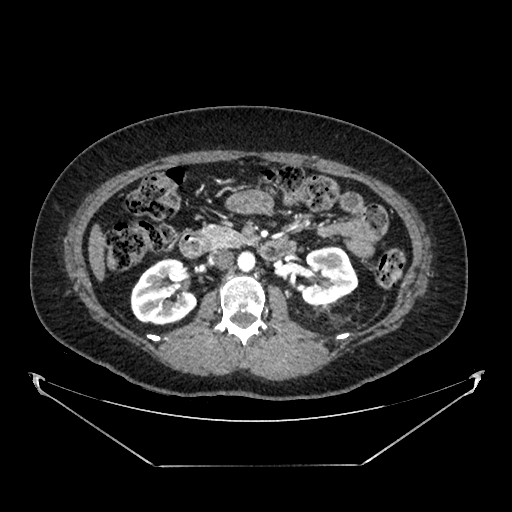
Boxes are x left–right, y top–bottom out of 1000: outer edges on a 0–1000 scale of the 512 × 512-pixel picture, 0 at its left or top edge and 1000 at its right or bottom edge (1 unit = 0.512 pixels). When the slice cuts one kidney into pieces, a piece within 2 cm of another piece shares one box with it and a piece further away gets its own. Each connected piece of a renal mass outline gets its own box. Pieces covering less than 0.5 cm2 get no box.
This is axial slice 225 of 383 (slice 1 is the lowest) of an arterial-phase abdominal CT with contrast; each pixel is 0.898 mm and the slice is 1.25 mm thick. Two kidney boxes on this slice; by box centre, from the image's left to its right: (1) Right kidney at x 254–387, y 504–637 out of 1000 (outlined area 3,368 px, about 27.2 cm2). (2) Left kidney at x 586–701, y 482–598 out of 1000 (outlined area 2,651 px, about 21.4 cm2). No renal mass outline on this slice.
Acquired at 100 kVp and reconstructed with the SOFT kernel.